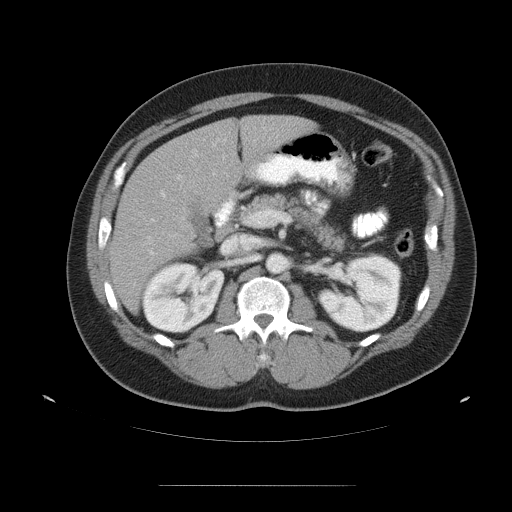
Axial slice 71 of 99 of a contrast-enhanced abdominal CT (slice 1 is the lowest), 120 kVp, kernel STANDARD; 5.00 mm slice thickness and 0.938 mm pixels.
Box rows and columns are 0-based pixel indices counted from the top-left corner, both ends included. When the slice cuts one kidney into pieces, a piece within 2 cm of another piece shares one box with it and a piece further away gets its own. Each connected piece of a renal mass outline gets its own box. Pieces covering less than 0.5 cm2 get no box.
Boxed on this slice (two kidney boxes), listed by box centre from the image's left to its right: (1) Box rows 262–333, columns 142–224: right kidney (outlined area 4,525 px, about 39.8 cm2). (2) Left kidney at rows 253–332, columns 317–401 (outlined area 5,022 px, about 44.1 cm2). This slice carries no renal mass outline.